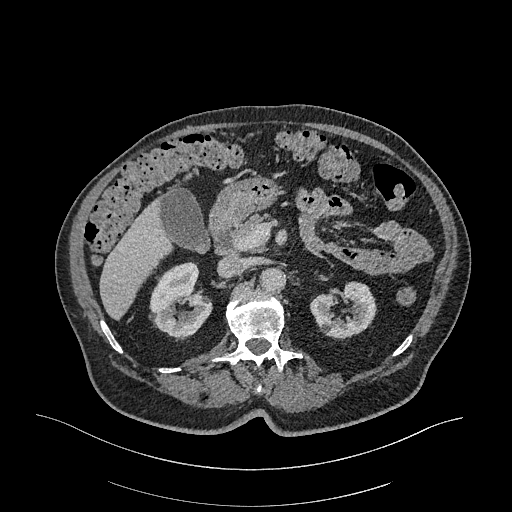
Abdominal CT with intravenous contrast, arterial phase, axial plane, 120 kVp, kernel I26f. Slice 202/470 from the bottom of the scan; thickness 1.00 mm; pixel size 0.938 mm.
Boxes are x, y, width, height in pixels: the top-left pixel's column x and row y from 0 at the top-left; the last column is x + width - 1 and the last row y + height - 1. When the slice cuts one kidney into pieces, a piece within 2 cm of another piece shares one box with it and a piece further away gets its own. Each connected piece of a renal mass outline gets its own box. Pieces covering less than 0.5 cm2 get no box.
Two kidney boxes on this slice; by box centre, from the image's left to its right: (1) Right kidney, box x 149, y 262, width 64, height 76 (outlined area 3,328 px, about 29.2 cm2). (2) Left kidney, box x 310, y 281, width 67, height 59 (outlined area 2,642 px, about 23.2 cm2). No renal mass is outlined on this slice.